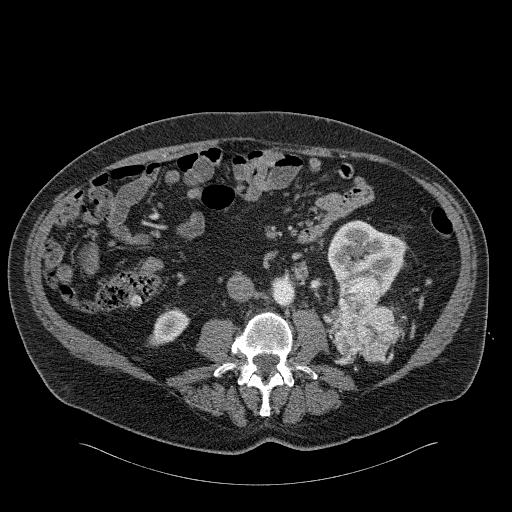
Axial slice 84 of 326 of a contrast-enhanced abdominal CT in the arterial phase (slice 1 is the lowest), 120 kVp, kernel B31f; 2.00 mm slice thickness and 0.963 mm pixels.
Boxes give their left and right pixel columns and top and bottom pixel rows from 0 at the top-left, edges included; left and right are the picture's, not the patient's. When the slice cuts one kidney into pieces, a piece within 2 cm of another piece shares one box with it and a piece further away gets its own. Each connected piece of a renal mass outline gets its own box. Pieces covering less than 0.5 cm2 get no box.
Boxed on this slice (two kidney boxes and one renal mass box), listed by box centre from the image's left to its right: (1) Right kidney, the box with left 148, top 309, right 190, bottom 346 (outlined area 1,007 px, about 9.3 cm2). (2) Left renal mass in the box with left 329, top 277, right 402, bottom 363 (outlined area 4,245 px, about 39.4 cm2). (3) Left kidney, the box with left 327, top 220, right 406, bottom 297 (outlined area 3,885 px, about 36.0 cm2).